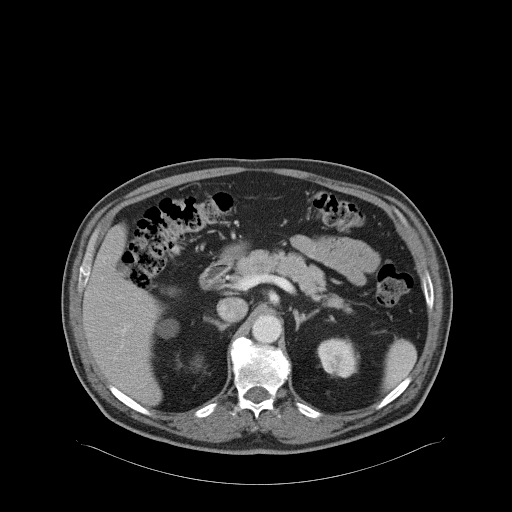
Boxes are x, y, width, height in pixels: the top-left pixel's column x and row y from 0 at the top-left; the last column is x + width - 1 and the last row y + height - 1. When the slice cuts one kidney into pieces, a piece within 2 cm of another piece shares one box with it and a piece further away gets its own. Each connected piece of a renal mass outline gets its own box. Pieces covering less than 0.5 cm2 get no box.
Slice 56/68 of a contrast-enhanced abdominal CT in the arterial phase, counting up from the lowest; pixel size 0.961 mm, slice thickness 5.00 mm. Two kidney boxes on this slice; by box centre, from the image's left to its right: (1) Right kidney, box x 154, y 319, width 25, height 20 (outlined area 369 px, about 3.4 cm2). (2) Left kidney at x 317, y 337, width 43, height 42 (outlined area 1,375 px, about 12.7 cm2). No renal mass is outlined on this slice.
Scan settings: 120 kVp, B31f reconstruction kernel.